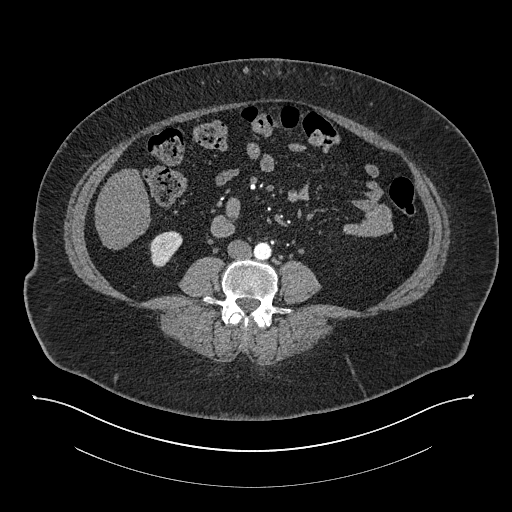
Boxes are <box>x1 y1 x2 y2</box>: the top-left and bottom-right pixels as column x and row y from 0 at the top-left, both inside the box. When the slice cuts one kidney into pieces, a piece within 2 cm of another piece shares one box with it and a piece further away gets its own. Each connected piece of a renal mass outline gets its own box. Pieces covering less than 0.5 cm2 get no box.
This is axial slice 336 of 673 (slice 1 is the lowest) of an arterial-phase abdominal CT with contrast; each pixel is 0.957 mm and the slice is 1.00 mm thick. At <box>149 231 182 267</box>: right kidney (outlined area 848 px, about 7.8 cm2). This slice carries no renal mass outline.
Scan settings: 140 kVp, I30f reconstruction kernel.